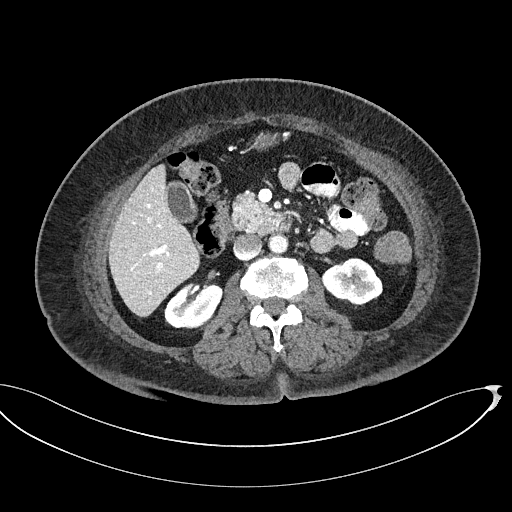
One axial slice (286 of 439, counting up from the lowest) of a contrast-enhanced abdominal CT acquired with 100 kVp, kernel I40f; each pixel is 0.850 mm and the slice is 2.00 mm thick.
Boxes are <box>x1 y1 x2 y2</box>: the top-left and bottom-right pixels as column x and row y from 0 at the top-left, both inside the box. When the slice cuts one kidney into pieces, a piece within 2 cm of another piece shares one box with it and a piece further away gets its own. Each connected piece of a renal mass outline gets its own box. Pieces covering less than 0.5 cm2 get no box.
Two boxes on this slice (two kidney boxes), listed by box centre from the image's left to its right. (1) Right kidney at <box>164 283 222 328</box> (outlined area 1,997 px, about 14.4 cm2). (2) At <box>322 257 382 308</box>: left kidney (outlined area 2,107 px, about 15.2 cm2). No renal mass outline on this slice.